Abdominal CT with intravenous contrast, axial plane, 120 kVp, kernel FC52. Slice 98/137 from the bottom of the scan; thickness 3.00 mm; pixel size 0.741 mm.
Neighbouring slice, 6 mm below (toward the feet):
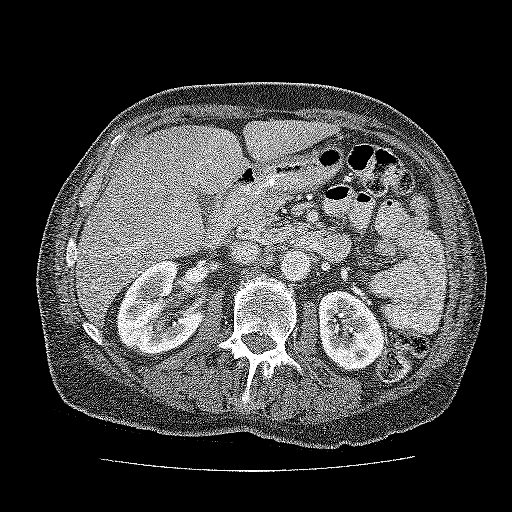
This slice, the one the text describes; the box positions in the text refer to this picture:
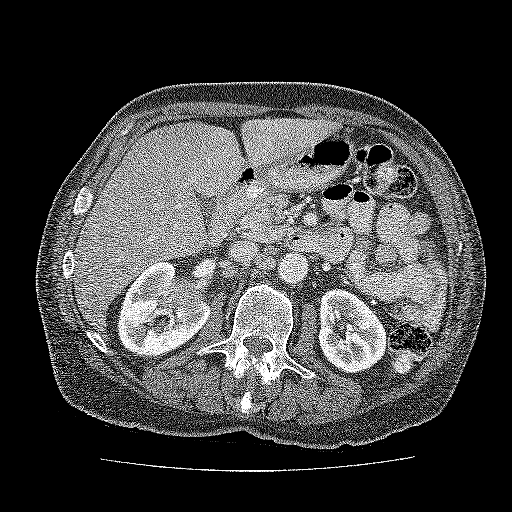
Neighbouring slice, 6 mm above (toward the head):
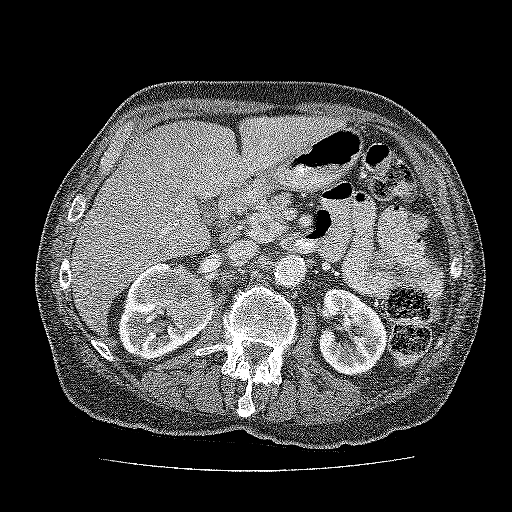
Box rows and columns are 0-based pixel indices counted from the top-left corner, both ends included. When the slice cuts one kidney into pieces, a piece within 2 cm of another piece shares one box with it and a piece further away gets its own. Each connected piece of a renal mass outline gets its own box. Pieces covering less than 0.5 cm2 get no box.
Boxed on this slice (two kidney boxes and one renal mass box), listed by box centre from the image's left to its right: (1) Box rows 262–358, columns 117–211: kidney (outlined area 5,347 px, about 29.4 cm2). (2) Box rows 274–308, columns 165–202: renal mass (outlined area 933 px, about 5.1 cm2). (3) Kidney, box rows 288–373, columns 317–386 (outlined area 4,582 px, about 25.2 cm2). This slice is near the end of a renal mass toward the feet, so the slices 6 mm below and 6 mm above it are shown as well; the boxes refer to this slice only.